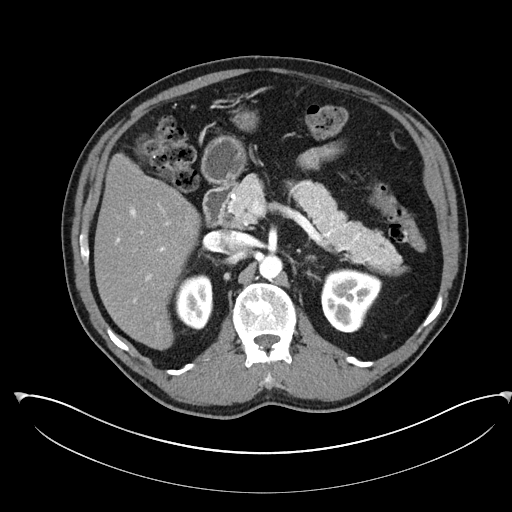
Arterial-phase contrast-enhanced abdominal CT, axial slice 151 of 302 (counted from the lowest slice); tube voltage 100 kVp, convolution kernel I30f; slices 5.00 mm thick, 0.875 mm per pixel.
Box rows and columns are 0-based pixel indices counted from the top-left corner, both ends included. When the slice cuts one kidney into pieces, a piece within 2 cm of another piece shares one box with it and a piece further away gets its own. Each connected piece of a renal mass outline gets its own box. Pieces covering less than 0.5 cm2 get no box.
Boxed on this slice (two kidney boxes), listed by box centre from the image's left to its right: (1) Right kidney at rows 274–329, columns 174–213 (outlined area 1,724 px, about 13.2 cm2). (2) Left kidney at rows 268–332, columns 320–382 (outlined area 2,960 px, about 22.7 cm2). No renal mass outline on this slice.